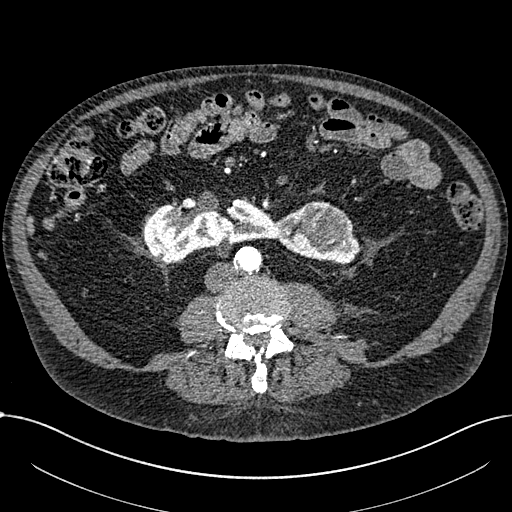
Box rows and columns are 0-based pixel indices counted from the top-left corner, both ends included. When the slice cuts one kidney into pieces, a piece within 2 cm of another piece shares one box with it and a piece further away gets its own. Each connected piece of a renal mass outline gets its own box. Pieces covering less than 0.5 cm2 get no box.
Slice 288/1059 of a contrast-enhanced abdominal CT in the arterial phase, counting up from the lowest; pixel size 0.811 mm, slice thickness 1.00 mm. One kidney box and one renal mass box on this slice; by box centre, from the image's left to its right: (1) Kidney crossing the body midline at rows 198–264, columns 143–359 (outlined area 7,818 px, about 51.4 cm2). (2) Box rows 201–248, columns 299–351: renal mass (outlined area 1,927 px, about 12.7 cm2).
Scan settings: 100 kVp, I30f reconstruction kernel.